Abdominal CT with intravenous contrast, arterial phase, axial plane, 120 kVp, kernel B31f. Slice 60/140 from the bottom of the scan; thickness 5.00 mm; pixel size 0.754 mm.
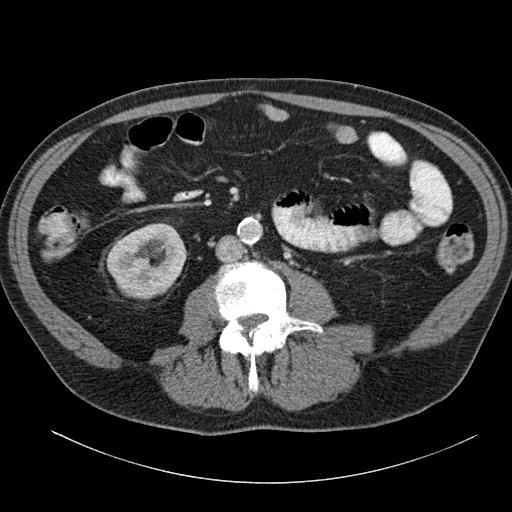
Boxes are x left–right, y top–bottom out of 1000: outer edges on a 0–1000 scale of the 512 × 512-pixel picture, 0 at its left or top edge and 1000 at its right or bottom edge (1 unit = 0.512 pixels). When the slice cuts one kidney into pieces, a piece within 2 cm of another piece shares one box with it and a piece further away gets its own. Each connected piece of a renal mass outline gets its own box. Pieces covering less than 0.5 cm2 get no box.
Right kidney at x 207–367, y 434–588 out of 1000 (outlined area 4,584 px, about 26.1 cm2). No renal mass is outlined on this slice.